Arterial-phase contrast-enhanced abdominal CT, axial slice 204 of 383 (counted from the lowest slice); tube voltage 100 kVp, convolution kernel SOFT; slices 1.25 mm thick, 0.898 mm per pixel.
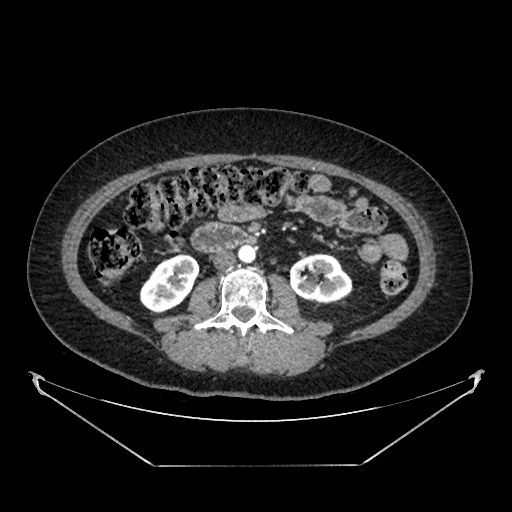
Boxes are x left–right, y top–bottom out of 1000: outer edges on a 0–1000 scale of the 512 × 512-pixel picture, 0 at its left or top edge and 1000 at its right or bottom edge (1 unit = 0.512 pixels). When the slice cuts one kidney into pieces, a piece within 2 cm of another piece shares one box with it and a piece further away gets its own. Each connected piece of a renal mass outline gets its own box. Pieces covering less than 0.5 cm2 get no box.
Two boxes on this slice (two kidney boxes), listed by box centre from the image's left to its right. (1) Box x 271–391, y 494–613 out of 1000: right kidney (outlined area 2,454 px, about 19.8 cm2). (2) Left kidney at x 564–689, y 494–592 out of 1000 (outlined area 2,385 px, about 19.3 cm2). No renal mass outline on this slice.